Arterial-phase contrast-enhanced abdominal CT, axial slice 368 of 673 (counted from the lowest slice); tube voltage 140 kVp, convolution kernel I30f; slices 1.00 mm thick, 0.957 mm per pixel.
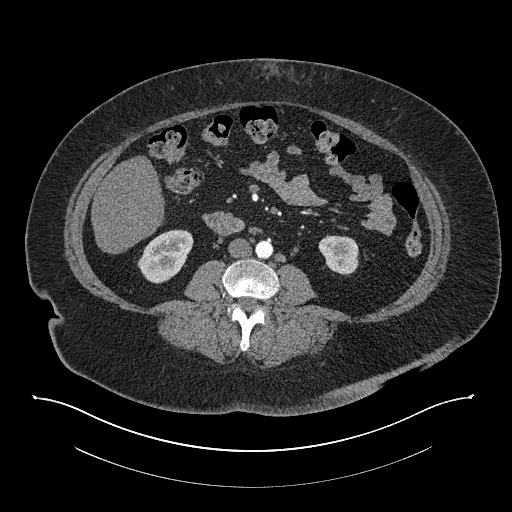
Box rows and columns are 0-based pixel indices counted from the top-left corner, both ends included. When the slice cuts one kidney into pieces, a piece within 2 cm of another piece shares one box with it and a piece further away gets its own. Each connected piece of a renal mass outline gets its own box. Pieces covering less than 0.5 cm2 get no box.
Two kidney boxes on this slice; by box centre, from the image's left to its right: (1) Right kidney, box rows 229–283, columns 137–193 (outlined area 2,095 px, about 19.2 cm2). (2) Left kidney, box rows 235–275, columns 318–358 (outlined area 1,280 px, about 11.7 cm2). No renal mass outline on this slice.